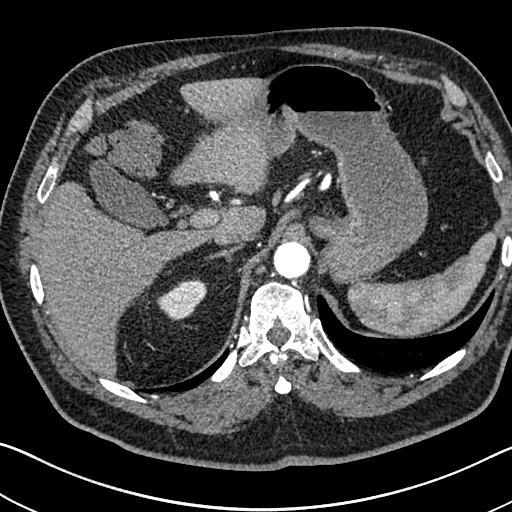
One axial slice (553 of 705, counting up from the lowest) of an arterial-phase abdominal CT acquired with 120 kVp, kernel I30f; each pixel is 0.703 mm and the slice is 1.00 mm thick.
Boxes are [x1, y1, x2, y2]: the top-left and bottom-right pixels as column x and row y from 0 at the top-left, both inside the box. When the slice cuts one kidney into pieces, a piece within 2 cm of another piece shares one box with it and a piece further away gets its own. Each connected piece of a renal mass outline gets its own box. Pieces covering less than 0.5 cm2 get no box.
Right kidney at [156, 278, 206, 321] (outlined area 1,381 px, about 6.8 cm2). This slice carries no renal mass outline.